Abdominal CT with intravenous contrast, arterial phase, axial plane, 100 kVp, kernel I40f. Slice 68/89 from the bottom of the scan; thickness 5.00 mm; pixel size 0.885 mm.
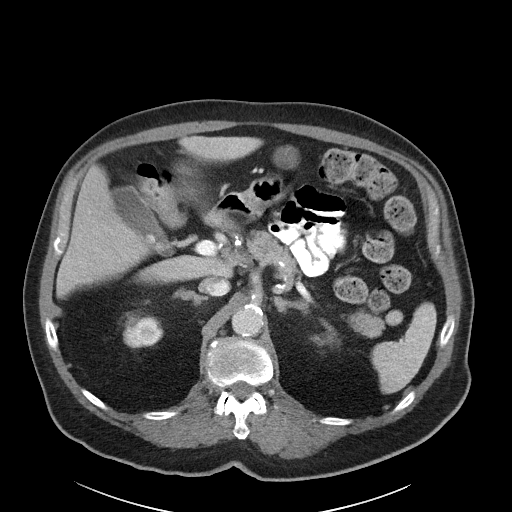
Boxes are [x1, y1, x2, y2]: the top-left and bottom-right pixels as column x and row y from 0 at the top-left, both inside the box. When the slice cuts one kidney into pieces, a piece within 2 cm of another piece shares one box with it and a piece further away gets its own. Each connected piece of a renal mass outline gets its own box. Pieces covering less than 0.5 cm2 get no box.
Right kidney at [122, 312, 163, 348] (outlined area 1,175 px, about 9.2 cm2). No renal mass outline on this slice.